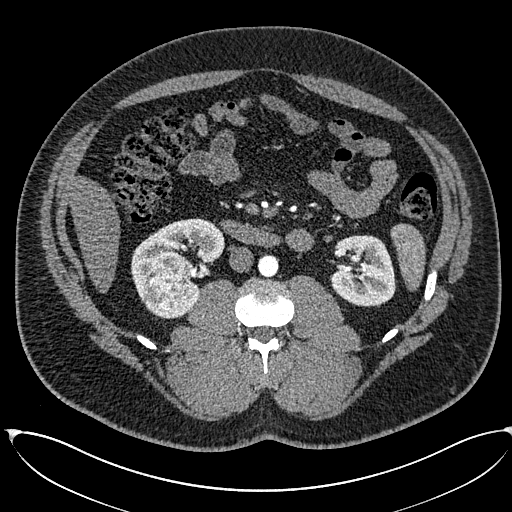
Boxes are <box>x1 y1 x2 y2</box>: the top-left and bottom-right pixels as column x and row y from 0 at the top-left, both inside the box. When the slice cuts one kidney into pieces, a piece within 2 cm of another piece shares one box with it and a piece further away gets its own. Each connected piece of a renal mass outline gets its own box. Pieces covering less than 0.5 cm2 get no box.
This is axial slice 312 of 673 (slice 1 is the lowest) of an arterial-phase abdominal CT with contrast; each pixel is 0.855 mm and the slice is 1.00 mm thick. Boxed on this slice (two kidney boxes and one renal mass box), listed by box centre from the image's left to its right: (1) Right renal mass at <box>149 251 192 310</box> (outlined area 2,262 px, about 16.6 cm2). (2) Right kidney at <box>130 218 224 318</box> (outlined area 4,238 px, about 31.0 cm2). (3) Left kidney at <box>330 235 395 306</box> (outlined area 3,779 px, about 27.7 cm2).
Scan settings: 120 kVp, I30f reconstruction kernel.